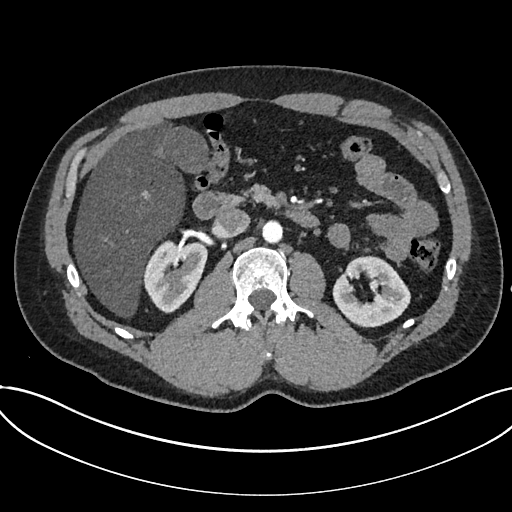
Arterial-phase contrast-enhanced abdominal CT, axial slice 425 of 735 (counted from the lowest slice); tube voltage 120 kVp, convolution kernel I30f; slices 1.00 mm thick, 0.789 mm per pixel.
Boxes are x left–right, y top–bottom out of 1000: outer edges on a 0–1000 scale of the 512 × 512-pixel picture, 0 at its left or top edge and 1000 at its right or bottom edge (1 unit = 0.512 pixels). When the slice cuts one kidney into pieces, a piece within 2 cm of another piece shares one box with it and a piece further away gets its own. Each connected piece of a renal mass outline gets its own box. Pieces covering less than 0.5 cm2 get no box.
Two boxes on this slice (two kidney boxes), listed by box centre from the image's left to its right. (1) Kidney, box x 279–406, y 467–613 out of 1000 (outlined area 3,401 px, about 21.2 cm2). (2) Kidney at x 648–803, y 498–641 out of 1000 (outlined area 3,797 px, about 23.6 cm2). No renal mass outline on this slice.